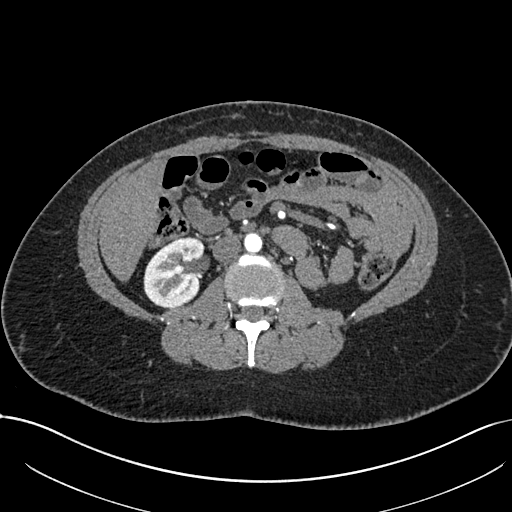
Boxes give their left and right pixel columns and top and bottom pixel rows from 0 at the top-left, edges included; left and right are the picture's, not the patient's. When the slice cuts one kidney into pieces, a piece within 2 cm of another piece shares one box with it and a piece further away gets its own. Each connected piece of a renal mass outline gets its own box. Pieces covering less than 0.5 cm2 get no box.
This is axial slice 377 of 738 (slice 1 is the lowest) of an arterial-phase abdominal CT with contrast; each pixel is 0.789 mm and the slice is 1.00 mm thick. Box with left 143, top 237, right 204, bottom 307: right kidney (outlined area 3,358 px, about 20.9 cm2). No renal mass outline on this slice.
Tube voltage 120 kVp; convolution kernel I30f.